One axial slice (353 of 439, counting up from the lowest) of a contrast-enhanced abdominal CT acquired with 100 kVp, kernel I40f; each pixel is 0.850 mm and the slice is 2.00 mm thick.
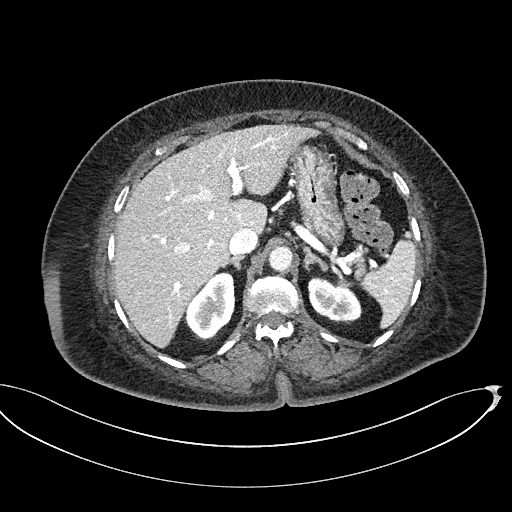
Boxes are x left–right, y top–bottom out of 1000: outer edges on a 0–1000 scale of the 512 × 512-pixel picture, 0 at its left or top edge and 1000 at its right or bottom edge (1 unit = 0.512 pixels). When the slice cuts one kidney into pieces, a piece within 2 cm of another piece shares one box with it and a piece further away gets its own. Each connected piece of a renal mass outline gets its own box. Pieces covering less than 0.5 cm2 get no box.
Two kidney boxes on this slice; by box centre, from the image's left to its right: (1) Box x 363–461, y 531–668 out of 1000: right kidney (outlined area 2,426 px, about 17.5 cm2). (2) Left kidney at x 600–709, y 541–633 out of 1000 (outlined area 1,812 px, about 13.1 cm2). No renal mass is outlined on this slice.